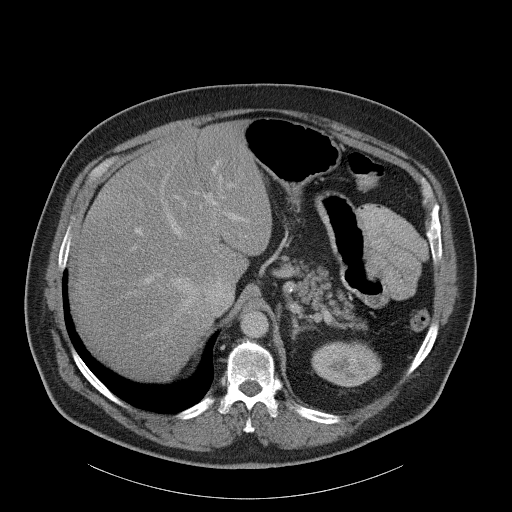
One axial slice (82 of 107, counting up from the lowest) of a contrast-enhanced abdominal CT acquired with 120 kVp, kernel B31f; each pixel is 0.941 mm and the slice is 5.00 mm thick.
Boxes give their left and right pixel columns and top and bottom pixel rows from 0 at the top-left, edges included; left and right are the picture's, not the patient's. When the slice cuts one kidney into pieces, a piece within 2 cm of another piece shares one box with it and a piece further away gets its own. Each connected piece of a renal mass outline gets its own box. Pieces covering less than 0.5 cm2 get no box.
Box with left 311, top 341, right 381, bottom 387: left kidney (outlined area 2,509 px, about 22.2 cm2). This slice carries no renal mass outline.